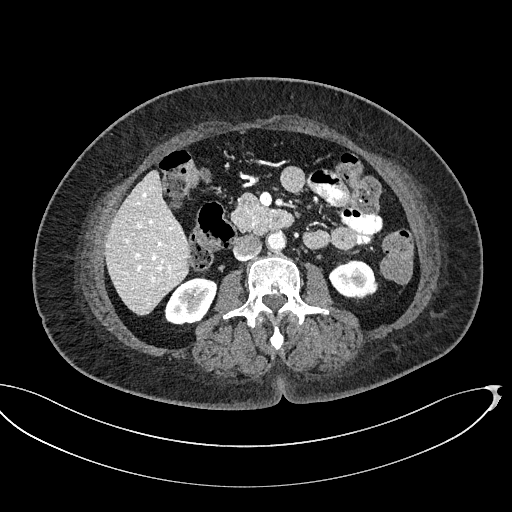
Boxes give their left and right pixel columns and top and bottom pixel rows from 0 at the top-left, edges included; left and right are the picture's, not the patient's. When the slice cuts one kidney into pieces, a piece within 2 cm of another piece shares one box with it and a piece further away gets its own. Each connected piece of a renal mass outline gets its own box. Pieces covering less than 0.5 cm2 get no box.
Slice 275/439 of a contrast-enhanced abdominal CT, counting up from the lowest; pixel size 0.850 mm, slice thickness 2.00 mm. Two boxes on this slice (two kidney boxes), listed by box centre from the image's left to its right. (1) Box with left 164, top 277, right 217, bottom 324: right kidney (outlined area 1,847 px, about 13.3 cm2). (2) Box with left 328, top 260, right 378, bottom 299: left kidney (outlined area 1,474 px, about 10.6 cm2). No renal mass outline on this slice.
Scan settings: 100 kVp, I40f reconstruction kernel.